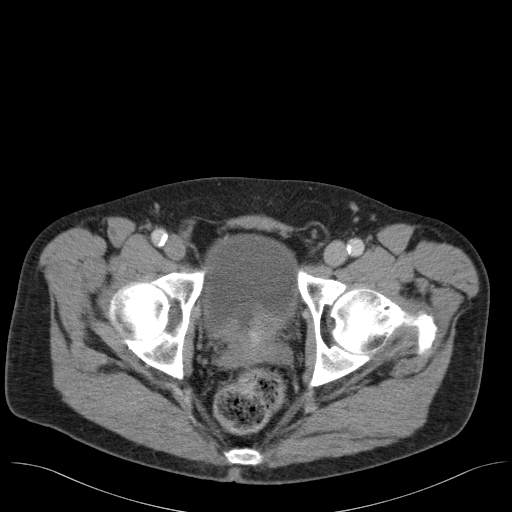
Axial slice 24 of 98 of a contrast-enhanced abdominal CT in the arterial phase (slice 1 is the lowest), 120 kVp, kernel B31f; 5.00 mm slice thickness and 0.764 mm pixels.
Neither a kidney nor a renal mass is outlined here. Only kidneys and renal masses are outlined anywhere in this scan; other structures are never outlined.